Axial slice 257 of 581 of a contrast-enhanced abdominal CT in the arterial phase (slice 1 is the lowest), 120 kVp, kernel B30f; 1.00 mm slice thickness and 0.713 mm pixels.
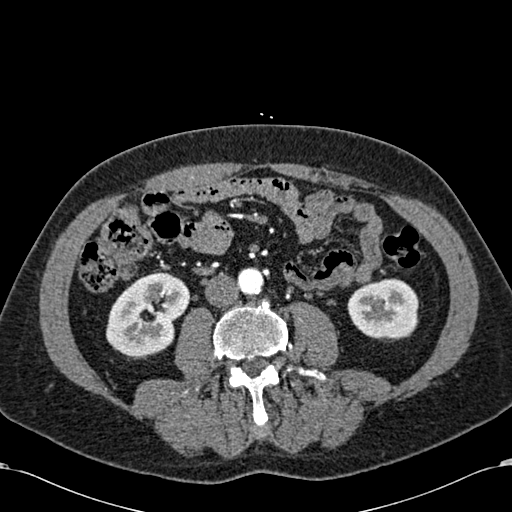
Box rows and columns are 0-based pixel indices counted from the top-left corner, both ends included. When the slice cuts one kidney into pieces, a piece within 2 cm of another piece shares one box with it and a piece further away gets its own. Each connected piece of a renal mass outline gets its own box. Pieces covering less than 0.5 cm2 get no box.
Two boxes on this slice (two kidney boxes), listed by box centre from the image's left to its right. (1) Box rows 271–356, columns 106–190: right kidney (outlined area 5,056 px, about 25.7 cm2). (2) Left kidney at rows 278–338, columns 347–418 (outlined area 3,499 px, about 17.8 cm2). No renal mass is outlined on this slice.